Abdominal CT with intravenous contrast, arterial phase, axial plane, 120 kVp, kernel STANDARD. Slice 260/349 from the bottom of the scan; thickness 1.25 mm; pixel size 0.742 mm.
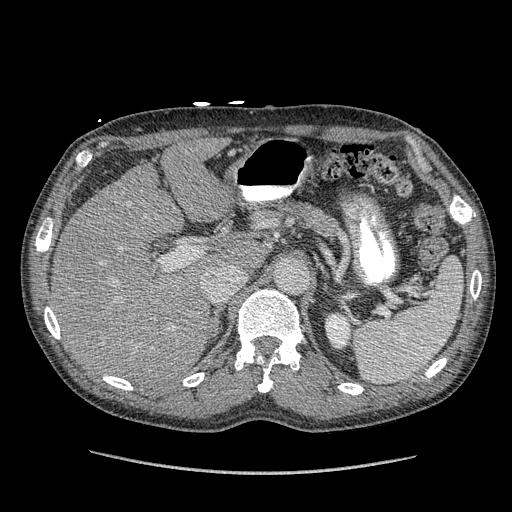
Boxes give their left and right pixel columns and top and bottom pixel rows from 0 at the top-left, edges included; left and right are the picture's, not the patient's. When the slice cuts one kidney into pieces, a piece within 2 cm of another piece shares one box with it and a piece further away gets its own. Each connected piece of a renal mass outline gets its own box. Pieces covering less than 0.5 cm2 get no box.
Box with left 324, top 310, right 351, bottom 351: left kidney (outlined area 921 px, about 5.1 cm2). This slice carries no renal mass outline.